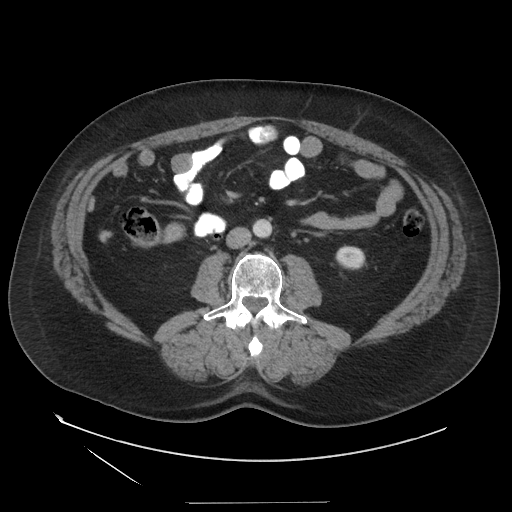
One axial slice (65 of 129, counting up from the lowest) of an arterial-phase abdominal CT acquired with 140 kVp, kernel STANDARD; each pixel is 0.938 mm and the slice is 3.75 mm thick.
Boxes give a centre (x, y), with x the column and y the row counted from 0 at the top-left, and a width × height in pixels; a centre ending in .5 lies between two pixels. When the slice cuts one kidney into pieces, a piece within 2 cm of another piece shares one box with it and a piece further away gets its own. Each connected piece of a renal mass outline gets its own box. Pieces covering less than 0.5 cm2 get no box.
Left kidney, box centre (350, 258), 31 × 25 pixels (outlined area 603 px, about 5.3 cm2). No renal mass outline on this slice.